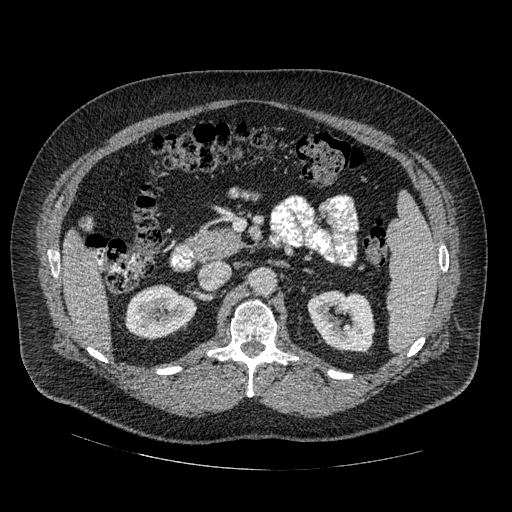
Abdominal CT with intravenous contrast, arterial phase, axial plane, 120 kVp, kernel STANDARD. Slice 293/445 from the bottom of the scan; thickness 1.25 mm; pixel size 0.863 mm.
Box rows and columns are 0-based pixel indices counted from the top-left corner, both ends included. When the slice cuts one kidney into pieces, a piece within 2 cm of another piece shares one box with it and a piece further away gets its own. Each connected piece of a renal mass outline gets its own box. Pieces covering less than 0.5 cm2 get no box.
Two boxes on this slice (two kidney boxes), listed by box centre from the image's left to its right. (1) Right kidney at rows 284–339, columns 125–196 (outlined area 2,895 px, about 21.6 cm2). (2) Left kidney at rows 290–352, columns 307–375 (outlined area 3,251 px, about 24.2 cm2). No renal mass outline on this slice.